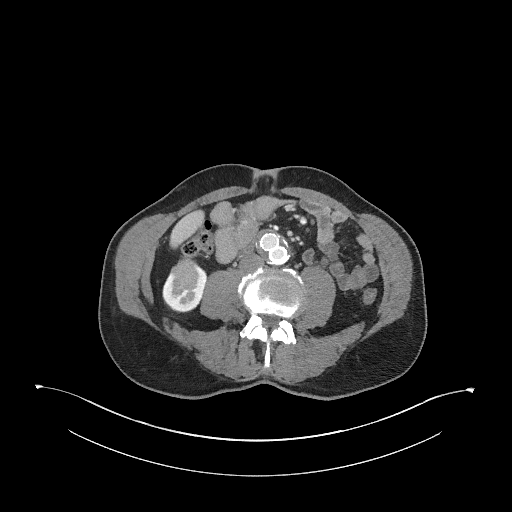
Arterial-phase contrast-enhanced abdominal CT, axial slice 125 of 345 (counted from the lowest slice); tube voltage 120 kVp, convolution kernel I31f; slices 2.00 mm thick, 0.977 mm per pixel.
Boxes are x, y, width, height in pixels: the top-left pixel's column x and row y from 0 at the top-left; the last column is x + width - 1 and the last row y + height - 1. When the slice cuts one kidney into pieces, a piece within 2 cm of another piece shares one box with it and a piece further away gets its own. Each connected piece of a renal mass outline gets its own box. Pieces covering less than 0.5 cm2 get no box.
Two boxes on this slice (one kidney box and one renal mass box), listed by box centre from the image's left to its right. (1) Box x 169, y 257, width 30, height 29: right renal mass (outlined area 573 px, about 5.5 cm2). (2) Right kidney, box x 162, y 266, width 45, height 47 (outlined area 1,275 px, about 12.2 cm2).